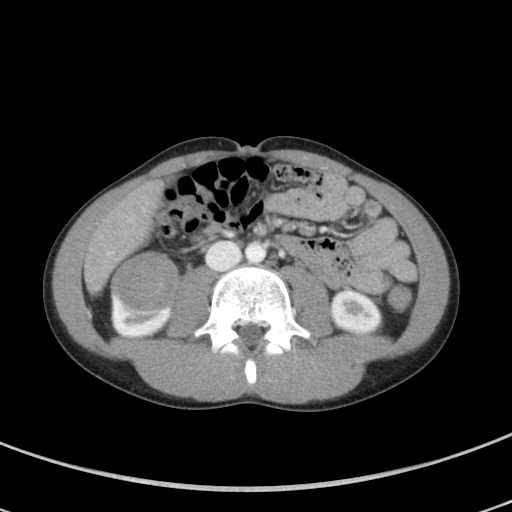
Abdominal CT with intravenous contrast, arterial phase, axial plane, 100 kVp, kernel I41f. Slice 33/94 from the bottom of the scan; thickness 5.00 mm; pixel size 0.551 mm.
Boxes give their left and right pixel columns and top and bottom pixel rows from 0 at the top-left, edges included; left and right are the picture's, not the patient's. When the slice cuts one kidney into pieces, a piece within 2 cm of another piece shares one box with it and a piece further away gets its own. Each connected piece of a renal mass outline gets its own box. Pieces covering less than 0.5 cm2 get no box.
Two kidney boxes and one renal mass box on this slice; by box centre, from the image's left to its right: (1) Box with left 110, top 294, right 171, bottom 336: right kidney (outlined area 1,538 px, about 4.7 cm2). (2) Right renal mass, the box with left 109, top 250, right 179, bottom 311 (outlined area 3,353 px, about 10.2 cm2). (3) Box with left 330, top 289, right 383, bottom 335: left kidney (outlined area 1,944 px, about 5.9 cm2).